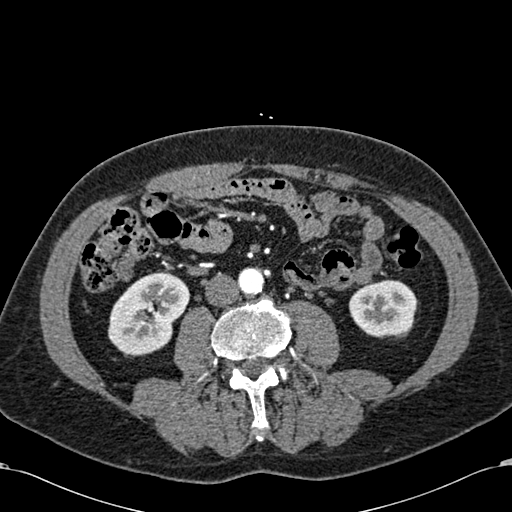
One axial slice (251 of 581, counting up from the lowest) of an arterial-phase abdominal CT acquired with 120 kVp, kernel B30f; each pixel is 0.713 mm and the slice is 1.00 mm thick.
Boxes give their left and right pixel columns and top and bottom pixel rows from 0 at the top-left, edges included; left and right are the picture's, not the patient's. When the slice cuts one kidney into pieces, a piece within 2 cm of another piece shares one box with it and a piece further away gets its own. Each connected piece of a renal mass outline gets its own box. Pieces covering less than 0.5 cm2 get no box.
Boxed on this slice (two kidney boxes), listed by box centre from the image's left to its right: (1) Right kidney in the box with left 108, top 271, right 190, bottom 356 (outlined area 4,899 px, about 24.9 cm2). (2) Box with left 348, top 279, right 417, bottom 337: left kidney (outlined area 3,161 px, about 16.1 cm2). No renal mass outline on this slice.